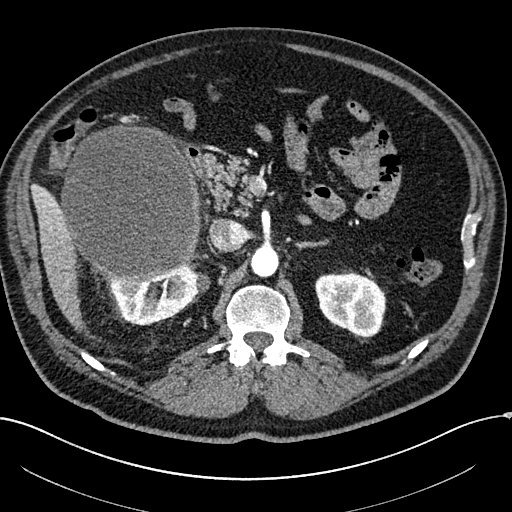
Abdominal CT with intravenous contrast, arterial phase, axial plane, 100 kVp, kernel I30f. Slice 144/304 from the bottom of the scan; thickness 2.00 mm; pixel size 0.809 mm.
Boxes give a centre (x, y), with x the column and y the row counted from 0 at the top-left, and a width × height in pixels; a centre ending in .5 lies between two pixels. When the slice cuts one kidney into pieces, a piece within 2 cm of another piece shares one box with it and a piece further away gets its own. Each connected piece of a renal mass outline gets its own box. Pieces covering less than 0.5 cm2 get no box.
Three boxes on this slice (two kidney boxes and one renal mass box), listed by box centre from the image's left to its right. (1) Right renal mass in a box with centre (130, 202.5), 143 × 158 pixels (outlined area 17,803 px, about 116.4 cm2). (2) Right kidney in a box with centre (156, 294), 97 × 63 pixels (outlined area 3,530 px, about 23.1 cm2). (3) Left kidney, box centre (350, 305), 71 × 65 pixels (outlined area 3,504 px, about 22.9 cm2).